Abdominal CT with intravenous contrast, axial plane, 100 kVp, kernel I40f. Slice 56/101 from the bottom of the scan; thickness 5.00 mm; pixel size 0.879 mm.
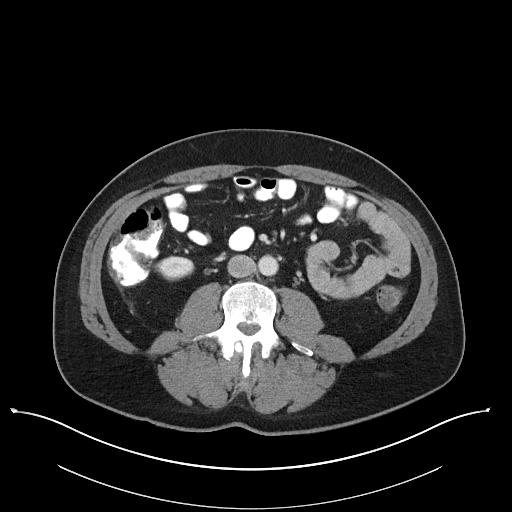
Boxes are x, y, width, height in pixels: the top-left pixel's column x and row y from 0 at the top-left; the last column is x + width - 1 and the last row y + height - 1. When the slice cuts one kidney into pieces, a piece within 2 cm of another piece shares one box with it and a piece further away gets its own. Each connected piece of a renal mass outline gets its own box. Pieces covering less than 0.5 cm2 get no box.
Box x 155, y 255, width 40, height 27: right kidney (outlined area 755 px, about 5.8 cm2). No renal mass outline on this slice.